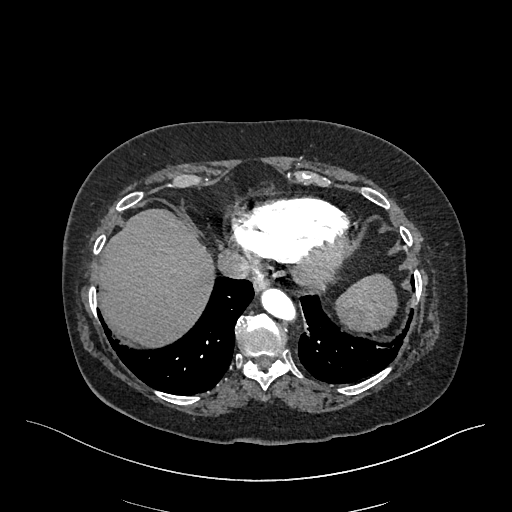
Arterial-phase contrast-enhanced abdominal CT, axial slice 454 of 548 (counted from the lowest slice); tube voltage 120 kVp, convolution kernel I26f; slices 1.00 mm thick, 0.852 mm per pixel.
Outside the outlined region: no kidney outline and no renal mass outline on this slice. The scan's outlines cover only kidneys and renal masses; no other organ is outlined.